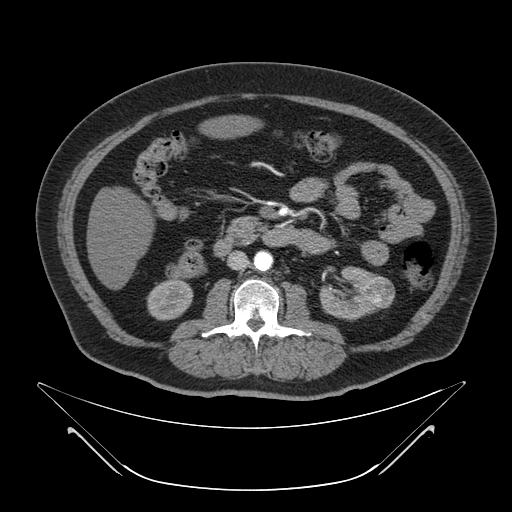
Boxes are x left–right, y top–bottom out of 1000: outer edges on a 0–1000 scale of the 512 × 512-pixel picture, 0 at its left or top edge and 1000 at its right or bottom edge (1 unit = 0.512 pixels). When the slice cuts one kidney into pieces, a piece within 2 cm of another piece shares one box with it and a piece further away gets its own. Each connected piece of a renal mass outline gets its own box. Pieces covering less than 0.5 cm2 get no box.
This is axial slice 23 of 64 (slice 1 is the lowest) of an abdominal CT with contrast; each pixel is 0.977 mm and the slice is 4.00 mm thick. Two kidney boxes and one renal mass box on this slice; by box centre, from the image's left to its right: (1) Right kidney, box x 285–379, y 545–627 out of 1000 (outlined area 1,499 px, about 14.3 cm2). (2) Box x 623–742, y 520–627 out of 1000: left kidney (outlined area 2,167 px, about 20.7 cm2). (3) Left renal mass at x 717–771, y 539–604 out of 1000 (outlined area 735 px, about 7.0 cm2).
Acquired at 120 kVp and reconstructed with the B kernel.